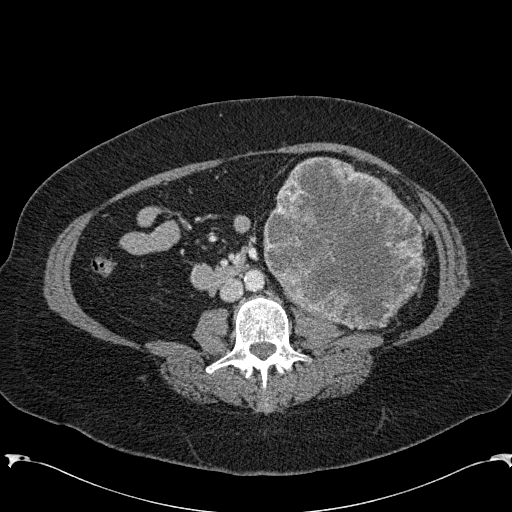
One axial slice (85 of 285, counting up from the lowest) of an arterial-phase abdominal CT acquired with 120 kVp, kernel B31f; each pixel is 0.762 mm and the slice is 2.00 mm thick.
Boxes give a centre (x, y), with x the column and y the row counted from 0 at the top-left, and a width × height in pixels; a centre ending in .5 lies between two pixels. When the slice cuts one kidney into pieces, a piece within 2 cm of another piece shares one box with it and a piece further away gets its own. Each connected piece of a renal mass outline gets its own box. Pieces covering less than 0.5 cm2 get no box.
Left renal mass, box centre (343.5, 243), 162 × 175 pixels (outlined area 20,830 px, about 120.9 cm2); no kidney outline appears on this slice, but the same outlined renal mass comes within 1 cm of the kidney on another slice.